Arterial-phase contrast-enhanced abdominal CT, axial slice 324 of 626 (counted from the lowest slice); tube voltage 120 kVp, convolution kernel I30f; slices 1.00 mm thick, 0.703 mm per pixel.
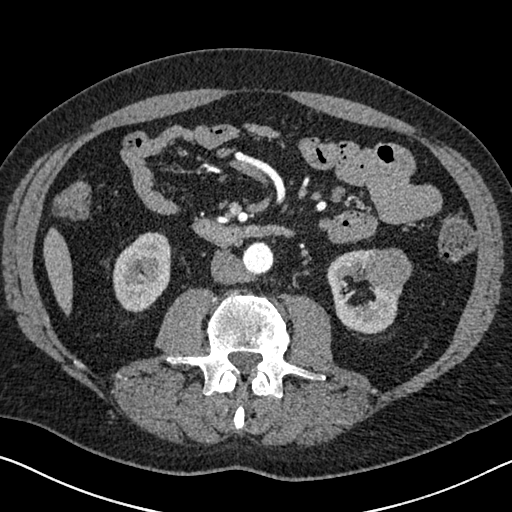
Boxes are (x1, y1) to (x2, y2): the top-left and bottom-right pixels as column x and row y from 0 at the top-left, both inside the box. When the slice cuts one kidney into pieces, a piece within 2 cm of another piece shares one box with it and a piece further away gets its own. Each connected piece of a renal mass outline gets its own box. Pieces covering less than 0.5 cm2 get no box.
Three boxes on this slice (two kidney boxes and one renal mass box), listed by box centre from the image's left to its right. (1) Right kidney from (112, 232) to (171, 312) (outlined area 3,602 px, about 17.8 cm2). (2) Left kidney, box (326, 248) to (401, 333) (outlined area 3,478 px, about 17.2 cm2). (3) Left renal mass, box (364, 248) to (412, 291) (outlined area 1,648 px, about 8.1 cm2).